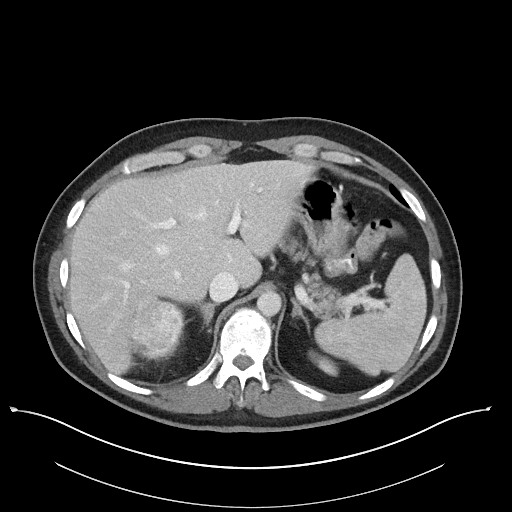
One axial slice (83 of 101, counting up from the lowest) of a contrast-enhanced abdominal CT acquired with 100 kVp, kernel I40f; each pixel is 0.879 mm and the slice is 5.00 mm thick.
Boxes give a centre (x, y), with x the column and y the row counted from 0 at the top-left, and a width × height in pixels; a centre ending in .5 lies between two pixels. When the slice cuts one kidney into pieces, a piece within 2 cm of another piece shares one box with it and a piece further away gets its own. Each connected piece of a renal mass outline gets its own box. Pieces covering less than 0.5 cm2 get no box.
One kidney box and one renal mass box on this slice; by box centre, from the image's left to its right: (1) Right renal mass in a box with centre (156.5, 329), 56 × 61 pixels (outlined area 2,718 px, about 21.0 cm2); on this slice it lies more than 1 cm from any kidney outline, but the same outlined renal mass comes within 1 cm of the kidney on another slice. (2) Left kidney, box centre (323, 363), 31 × 27 pixels (outlined area 426 px, about 3.3 cm2).